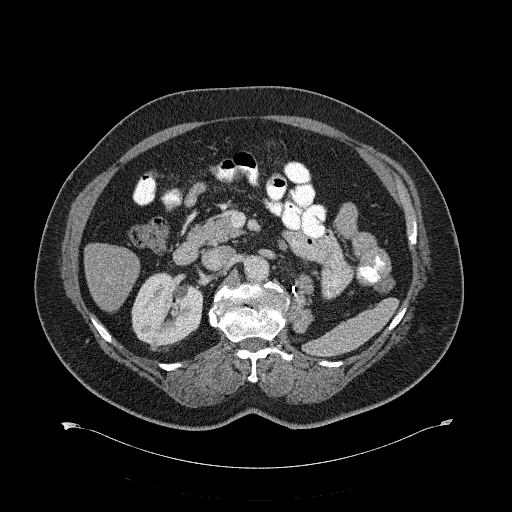
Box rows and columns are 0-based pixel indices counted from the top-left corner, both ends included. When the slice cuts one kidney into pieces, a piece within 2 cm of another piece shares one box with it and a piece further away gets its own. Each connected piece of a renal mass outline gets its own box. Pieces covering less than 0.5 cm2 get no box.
This is axial slice 382 of 734 (slice 1 is the lowest) of an abdominal CT with contrast; each pixel is 0.971 mm and the slice is 2.00 mm thick. Two boxes on this slice (one kidney box and one renal mass box), listed by box centre from the image's left to its right. (1) Right renal mass, box rows 340–350, columns 149–159 (outlined area 93 px, about 0.9 cm2). (2) Box rows 271–350, columns 131–203: right kidney (outlined area 4,159 px, about 39.2 cm2).
Scan settings: 120 kVp, B31f reconstruction kernel.